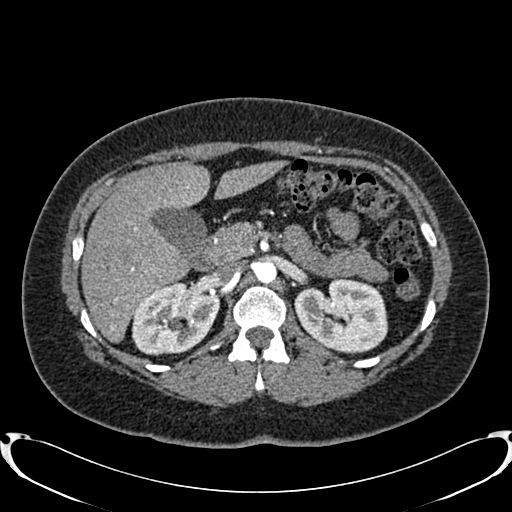
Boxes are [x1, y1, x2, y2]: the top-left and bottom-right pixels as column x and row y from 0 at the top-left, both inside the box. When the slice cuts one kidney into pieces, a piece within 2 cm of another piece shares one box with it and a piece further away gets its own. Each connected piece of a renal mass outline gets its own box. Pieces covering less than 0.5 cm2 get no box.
Slice 519/719 of a contrast-enhanced abdominal CT in the arterial phase, counting up from the lowest; pixel size 0.766 mm, slice thickness 1.00 mm. Two boxes on this slice (two kidney boxes), listed by box centre from the image's left to its right. (1) Box [132, 282, 219, 355]: right kidney (outlined area 4,863 px, about 28.5 cm2). (2) Left kidney, box [294, 277, 388, 354] (outlined area 5,394 px, about 31.6 cm2). This slice carries no renal mass outline.
Acquired at 120 kVp and reconstructed with the B20f kernel.